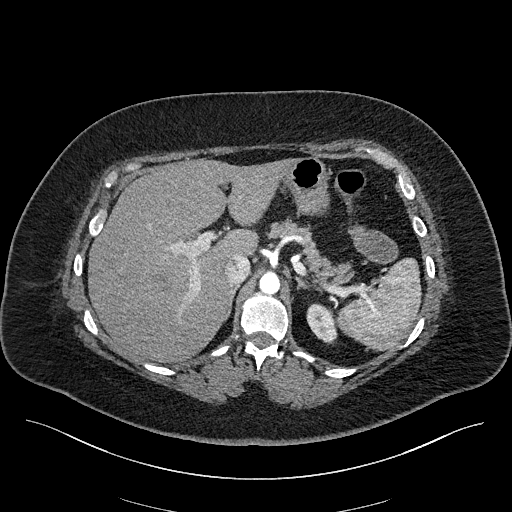
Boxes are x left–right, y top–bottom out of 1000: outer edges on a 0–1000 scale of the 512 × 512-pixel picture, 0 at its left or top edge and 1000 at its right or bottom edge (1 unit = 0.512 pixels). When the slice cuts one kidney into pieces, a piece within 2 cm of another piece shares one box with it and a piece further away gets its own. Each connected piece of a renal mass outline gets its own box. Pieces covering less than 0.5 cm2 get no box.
Arterial-phase contrast-enhanced abdominal CT, axial slice 164 of 270 (counted from the lowest slice); 2.00 mm thick, 0.855 mm per pixel. Left kidney, box x 598–660, y 592–672 out of 1000 (outlined area 921 px, about 6.7 cm2). This slice carries no renal mass outline.
Tube voltage 100 kVp; convolution kernel I40f.